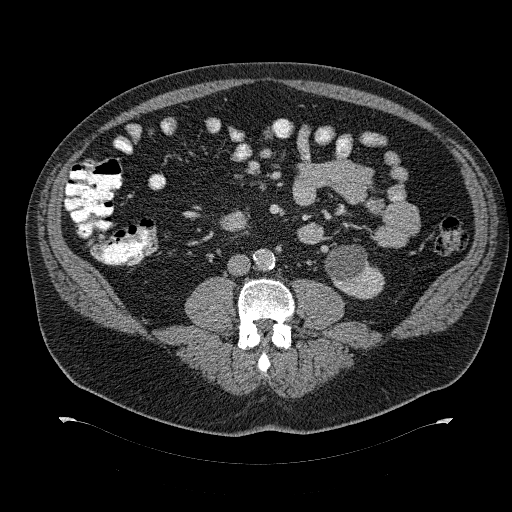
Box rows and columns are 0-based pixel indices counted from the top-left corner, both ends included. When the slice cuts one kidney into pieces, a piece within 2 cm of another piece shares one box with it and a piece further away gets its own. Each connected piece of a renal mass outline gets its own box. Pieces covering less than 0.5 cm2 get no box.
Contrast-enhanced abdominal CT, axial slice 152 of 274 (counted from the lowest slice); 2.00 mm thick, 0.977 mm per pixel. Box rows 245–299, columns 325–385: left kidney (outlined area 2,280 px, about 21.7 cm2). No renal mass is outlined on this slice.
Scan settings: 120 kVp, B31f reconstruction kernel.